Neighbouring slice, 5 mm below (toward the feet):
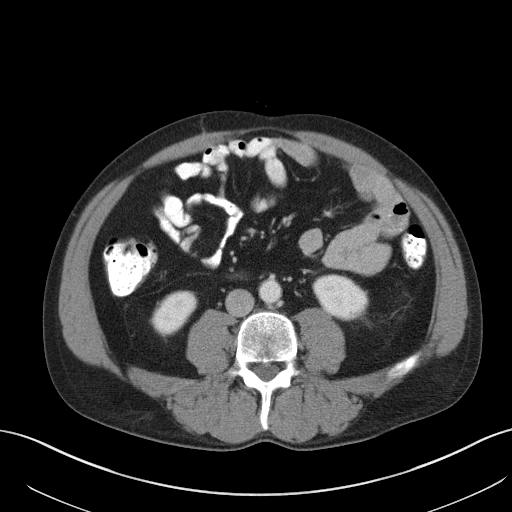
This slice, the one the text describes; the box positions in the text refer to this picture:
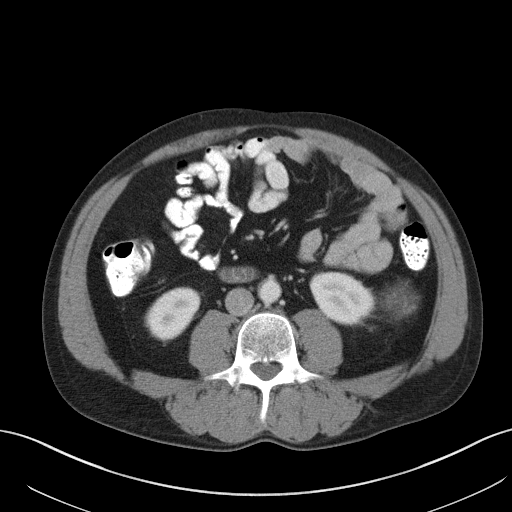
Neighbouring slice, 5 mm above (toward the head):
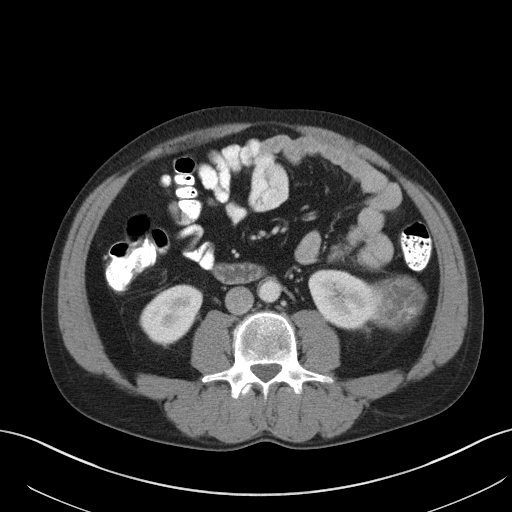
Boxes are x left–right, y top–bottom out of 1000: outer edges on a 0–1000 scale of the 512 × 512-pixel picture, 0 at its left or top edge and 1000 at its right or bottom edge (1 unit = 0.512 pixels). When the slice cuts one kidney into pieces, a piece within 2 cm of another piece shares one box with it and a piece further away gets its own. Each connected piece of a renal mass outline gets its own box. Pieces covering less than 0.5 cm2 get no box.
Arterial-phase contrast-enhanced abdominal CT, axial slice 49 of 131 (counted from the lowest slice); 5.00 mm thick, 0.760 mm per pixel. Two kidney boxes and one renal mass box on this slice; by box centre, from the image's left to its right: (1) Right kidney, box x 283–393, y 561–666 out of 1000 (outlined area 2,046 px, about 11.8 cm2). (2) Box x 605–734, y 531–635 out of 1000: left kidney (outlined area 2,562 px, about 14.8 cm2). (3) Box x 783–809, y 580–611 out of 1000: left renal mass (outlined area 130 px, about 0.8 cm2); it sits over 1 cm from every kidney outline on this slice, but the same outlined renal mass comes within 1 cm of the kidney on another slice. This slice is near the end of the left renal mass toward the feet, so the slices 5 mm below and 5 mm above it are shown as well; the boxes refer to this slice only.
Acquired at 120 kVp and reconstructed with the B41f kernel.